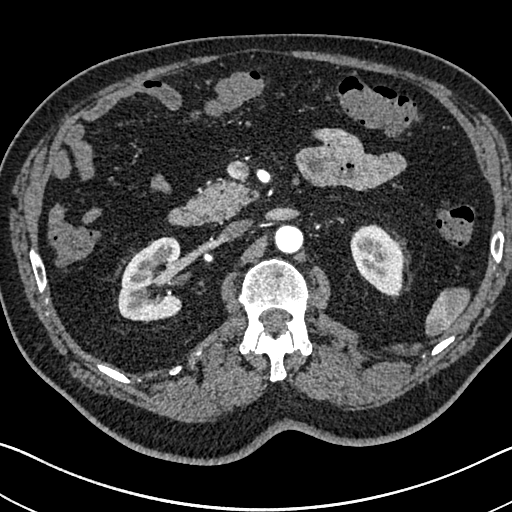
Arterial-phase contrast-enhanced abdominal CT, axial slice 447 of 705 (counted from the lowest slice); tube voltage 120 kVp, convolution kernel I30f; slices 1.00 mm thick, 0.703 mm per pixel.
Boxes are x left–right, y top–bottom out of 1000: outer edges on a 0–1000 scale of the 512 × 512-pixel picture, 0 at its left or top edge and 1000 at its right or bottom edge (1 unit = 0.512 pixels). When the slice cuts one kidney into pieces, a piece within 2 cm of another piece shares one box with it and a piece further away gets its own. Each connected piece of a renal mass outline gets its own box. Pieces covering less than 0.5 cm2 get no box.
Two kidney boxes on this slice; by box centre, from the image's left to its right: (1) Box x 230–355, y 463–629 out of 1000: right kidney (outlined area 4,150 px, about 20.5 cm2). (2) Box x 684–787, y 438–580 out of 1000: left kidney (outlined area 2,777 px, about 13.7 cm2). This slice carries no renal mass outline.